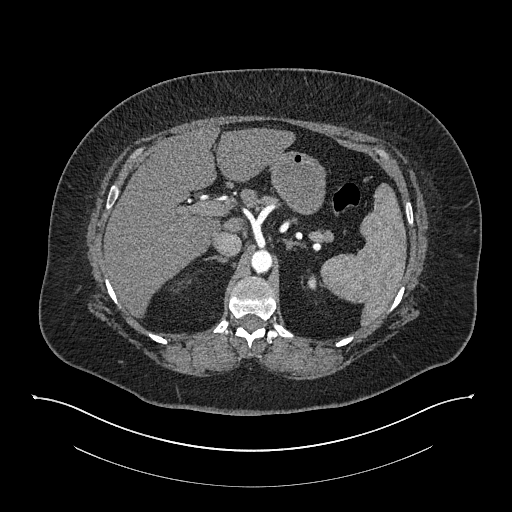
Axial slice 577 of 673 of a contrast-enhanced abdominal CT in the arterial phase (slice 1 is the lowest), 140 kVp, kernel I30f; 1.00 mm slice thickness and 0.957 mm pixels.
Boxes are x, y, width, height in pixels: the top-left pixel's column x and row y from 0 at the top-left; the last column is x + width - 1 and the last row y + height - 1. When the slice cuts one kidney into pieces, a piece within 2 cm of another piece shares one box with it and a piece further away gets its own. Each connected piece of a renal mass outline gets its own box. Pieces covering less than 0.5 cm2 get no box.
Left kidney, box x 307, y 275, width 10, height 15 (outlined area 113 px, about 1.0 cm2). No renal mass outline on this slice.